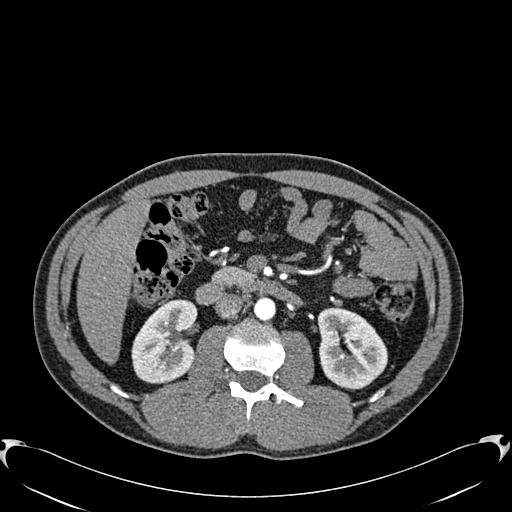
One axial slice (337 of 512, counting up from the lowest) of an arterial-phase abdominal CT acquired with 120 kVp, kernel B30f; each pixel is 0.771 mm and the slice is 1.00 mm thick.
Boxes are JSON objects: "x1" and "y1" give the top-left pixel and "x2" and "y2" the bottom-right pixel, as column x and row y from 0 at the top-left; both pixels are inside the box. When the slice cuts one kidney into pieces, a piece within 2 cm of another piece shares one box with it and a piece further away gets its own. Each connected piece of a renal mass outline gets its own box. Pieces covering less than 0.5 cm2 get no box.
Two kidney boxes on this slice; by box centre, from the image's left to its right: (1) Box {"x1": 131, "y1": 299, "x2": 197, "y2": 383}: right kidney (outlined area 4,214 px, about 25.1 cm2). (2) Box {"x1": 317, "y1": 307, "x2": 387, "y2": 390}: left kidney (outlined area 4,389 px, about 26.1 cm2). This slice carries no renal mass outline.